Arterial-phase contrast-enhanced abdominal CT, axial slice 559 of 705 (counted from the lowest slice); tube voltage 120 kVp, convolution kernel I30f; slices 1.00 mm thick, 0.703 mm per pixel.
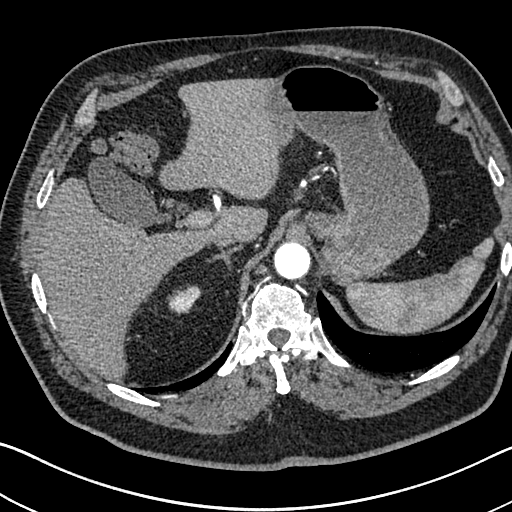
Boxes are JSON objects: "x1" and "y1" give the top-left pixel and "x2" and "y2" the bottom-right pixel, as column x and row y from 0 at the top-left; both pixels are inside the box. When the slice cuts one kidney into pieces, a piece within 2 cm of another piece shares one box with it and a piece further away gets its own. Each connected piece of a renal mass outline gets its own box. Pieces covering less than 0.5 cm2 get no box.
Right kidney at {"x1": 167, "y1": 285, "x2": 201, "y2": 315} (outlined area 685 px, about 3.4 cm2). No renal mass outline on this slice.